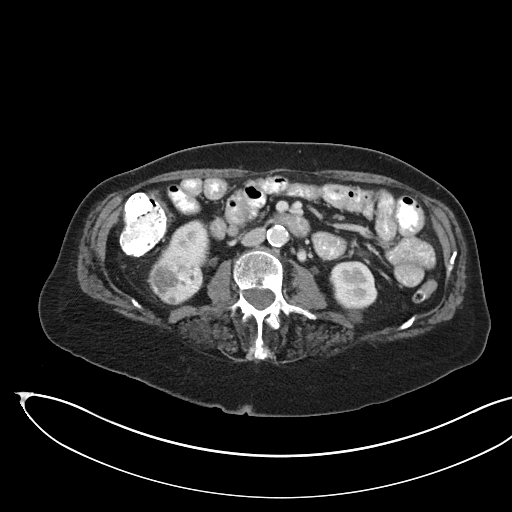
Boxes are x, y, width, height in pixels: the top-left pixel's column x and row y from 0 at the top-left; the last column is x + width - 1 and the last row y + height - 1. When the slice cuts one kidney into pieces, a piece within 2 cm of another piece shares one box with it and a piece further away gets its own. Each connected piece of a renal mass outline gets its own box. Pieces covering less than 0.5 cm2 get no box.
Arterial-phase contrast-enhanced abdominal CT, axial slice 88 of 145 (counted from the lowest slice); 3.00 mm thick, 0.834 mm per pixel. Two kidney boxes and one renal mass box on this slice; by box centre, from the image's left to its right: (1) Renal mass at x 149, y 253, width 55, height 52 (outlined area 2,163 px, about 15.0 cm2). (2) Box x 158, y 220, width 51, height 47: kidney (outlined area 1,326 px, about 9.2 cm2). (3) Kidney, box x 330, y 261, width 48, height 62 (outlined area 2,049 px, about 14.3 cm2).
Tube voltage 100 kVp; convolution kernel I40f.